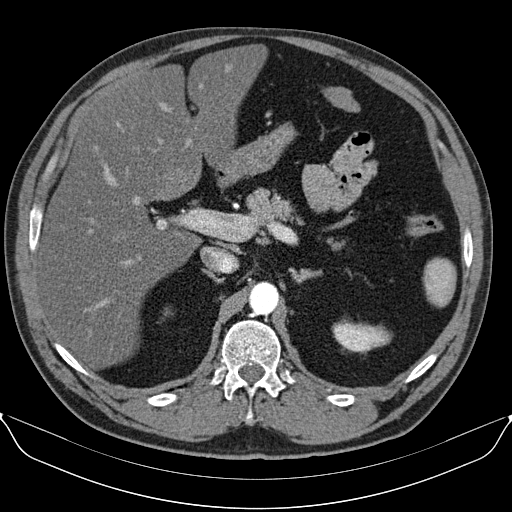
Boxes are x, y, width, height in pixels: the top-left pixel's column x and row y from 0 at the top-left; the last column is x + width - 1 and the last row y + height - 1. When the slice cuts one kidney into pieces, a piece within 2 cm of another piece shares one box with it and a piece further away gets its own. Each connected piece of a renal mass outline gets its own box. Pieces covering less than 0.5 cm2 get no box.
This is axial slice 71 of 96 (slice 1 is the lowest) of an arterial-phase abdominal CT with contrast; each pixel is 0.781 mm and the slice is 3.00 mm thick. Box x 332, y 319, width 61, height 36: left kidney (outlined area 1,453 px, about 8.9 cm2). This slice carries no renal mass outline.
Scan settings: 130 kVp, B30s reconstruction kernel.